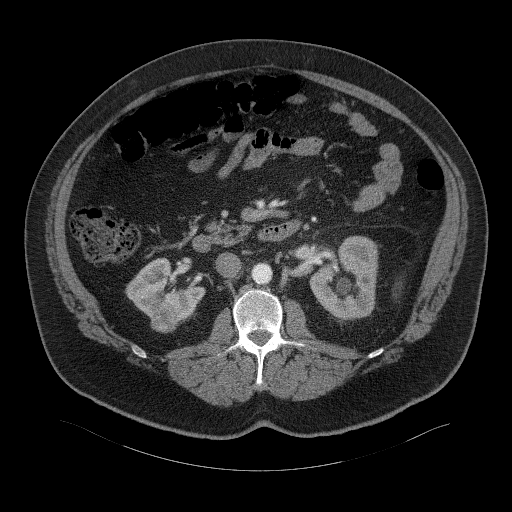
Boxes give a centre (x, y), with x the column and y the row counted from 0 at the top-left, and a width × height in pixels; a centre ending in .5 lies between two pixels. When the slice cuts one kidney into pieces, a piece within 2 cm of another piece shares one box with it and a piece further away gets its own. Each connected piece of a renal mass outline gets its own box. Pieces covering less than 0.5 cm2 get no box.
This is axial slice 28 of 94 (slice 1 is the lowest) of an abdominal CT with contrast; each pixel is 0.977 mm and the slice is 3.00 mm thick. Boxed on this slice (two kidney boxes and one renal mass box), listed by box centre from the image's left to its right: (1) Box centre (164, 319), 29 × 27 pixels: right renal mass (outlined area 629 px, about 6.0 cm2). (2) Right kidney in a box with centre (165, 289.5), 81 × 66 pixels (outlined area 2,977 px, about 28.4 cm2). (3) Box centre (343.5, 277.5), 70 × 84 pixels: left kidney (outlined area 4,266 px, about 40.7 cm2).
Scan settings: 120 kVp, B41f reconstruction kernel.